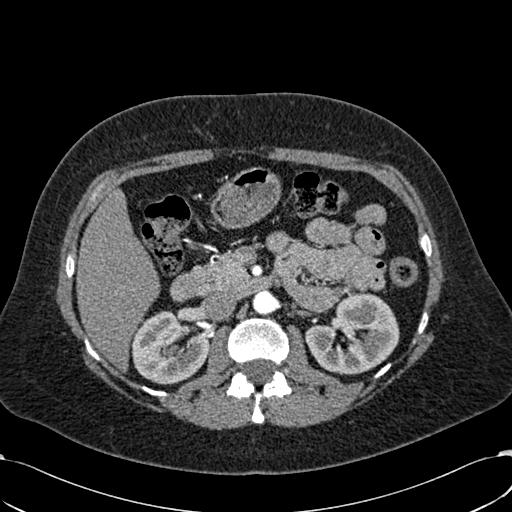
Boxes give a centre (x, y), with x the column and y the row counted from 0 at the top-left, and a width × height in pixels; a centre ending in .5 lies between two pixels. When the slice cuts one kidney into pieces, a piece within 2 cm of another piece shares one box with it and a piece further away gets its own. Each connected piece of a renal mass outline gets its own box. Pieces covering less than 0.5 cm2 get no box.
This is axial slice 381 of 532 (slice 1 is the lowest) of an arterial-phase abdominal CT with contrast; each pixel is 0.713 mm and the slice is 1.00 mm thick. Two boxes on this slice (two kidney boxes), listed by box centre from the image's left to its right. (1) Box centre (169.5, 347.5), 78 × 74 pixels: right kidney (outlined area 4,206 px, about 21.4 cm2). (2) Box centre (352, 333), 95 × 83 pixels: left kidney (outlined area 5,351 px, about 27.2 cm2). This slice carries no renal mass outline.
Acquired at 120 kVp and reconstructed with the B30f kernel.